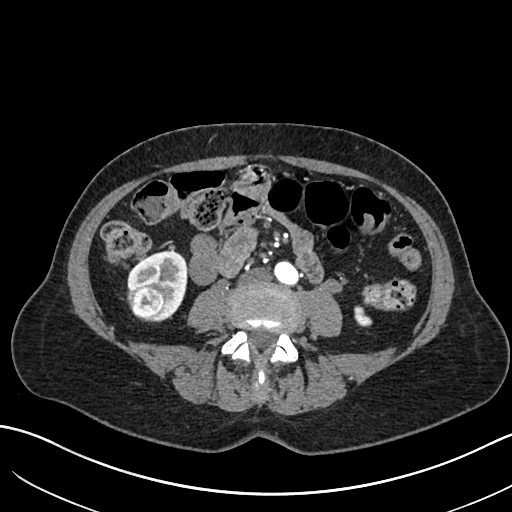
Axial slice 277 of 683 of a contrast-enhanced abdominal CT in the arterial phase (slice 1 is the lowest), 120 kVp, kernel I30f; 1.00 mm slice thickness and 0.738 mm pixels.
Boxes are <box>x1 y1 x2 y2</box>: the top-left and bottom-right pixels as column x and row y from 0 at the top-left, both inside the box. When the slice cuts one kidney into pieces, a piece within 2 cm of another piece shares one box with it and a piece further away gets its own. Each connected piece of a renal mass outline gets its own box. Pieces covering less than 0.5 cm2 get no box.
Two kidney boxes and one renal mass box on this slice; by box centre, from the image's left to its right: (1) Right renal mass: <box>127 283 167 321</box> (outlined area 1,209 px, about 6.6 cm2). (2) Right kidney: <box>127 250 187 321</box> (outlined area 2,304 px, about 12.6 cm2). (3) Left kidney at <box>354 305 372 326</box> (outlined area 270 px, about 1.5 cm2).